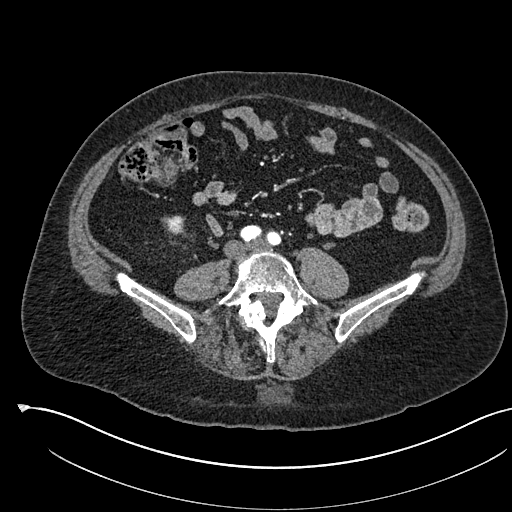
Arterial-phase contrast-enhanced abdominal CT, axial slice 184 of 541 (counted from the lowest slice); tube voltage 120 kVp, convolution kernel I30f; slices 1.00 mm thick, 0.834 mm per pixel.
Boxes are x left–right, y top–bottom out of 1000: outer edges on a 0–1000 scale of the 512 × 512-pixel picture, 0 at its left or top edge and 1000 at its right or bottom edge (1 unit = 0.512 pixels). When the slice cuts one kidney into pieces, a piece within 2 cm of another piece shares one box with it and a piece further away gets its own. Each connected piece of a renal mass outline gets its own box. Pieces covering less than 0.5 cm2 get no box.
Right kidney at x 314–365, y 420–463 out of 1000 (outlined area 374 px, about 2.6 cm2). No renal mass is outlined on this slice.